Arterial-phase contrast-enhanced abdominal CT, axial slice 311 of 541 (counted from the lowest slice); tube voltage 120 kVp, convolution kernel I30f; slices 1.00 mm thick, 0.834 mm per pixel.
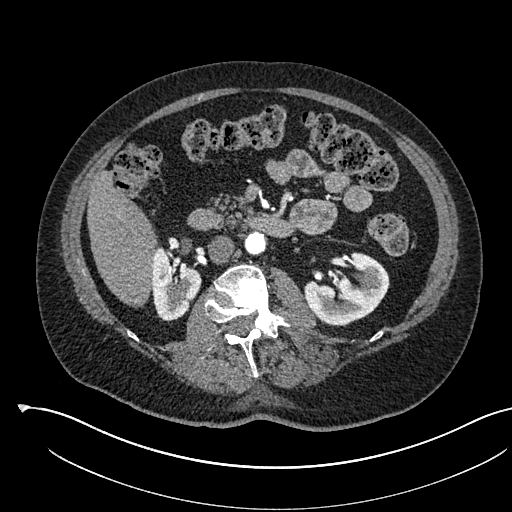
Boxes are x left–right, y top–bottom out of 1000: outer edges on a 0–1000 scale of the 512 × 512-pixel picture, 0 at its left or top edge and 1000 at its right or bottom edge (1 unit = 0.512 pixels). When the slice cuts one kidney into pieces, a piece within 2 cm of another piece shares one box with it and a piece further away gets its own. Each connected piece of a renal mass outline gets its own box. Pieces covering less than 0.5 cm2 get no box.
Two kidney boxes on this slice; by box centre, from the image's left to its right: (1) Right kidney, box x 295–395, y 480–629 out of 1000 (outlined area 2,690 px, about 18.7 cm2). (2) Left kidney, box x 594–762, y 490–639 out of 1000 (outlined area 4,195 px, about 29.2 cm2). This slice carries no renal mass outline.